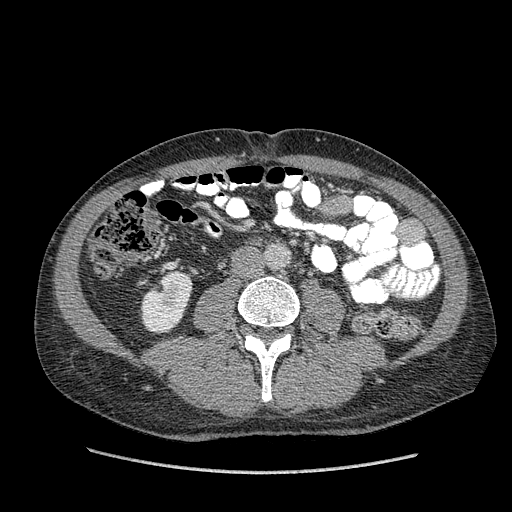
Arterial-phase contrast-enhanced abdominal CT, axial slice 163 of 349 (counted from the lowest slice); tube voltage 120 kVp, convolution kernel STANDARD; slices 1.25 mm thick, 0.742 mm per pixel.
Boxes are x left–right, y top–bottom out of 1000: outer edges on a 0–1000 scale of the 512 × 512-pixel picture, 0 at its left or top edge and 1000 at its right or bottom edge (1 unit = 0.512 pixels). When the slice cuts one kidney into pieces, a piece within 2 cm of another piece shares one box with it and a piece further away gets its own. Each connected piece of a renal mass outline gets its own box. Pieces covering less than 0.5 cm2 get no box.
Right kidney, box x 273–377, y 529–652 out of 1000 (outlined area 2,403 px, about 13.2 cm2). No renal mass is outlined on this slice.